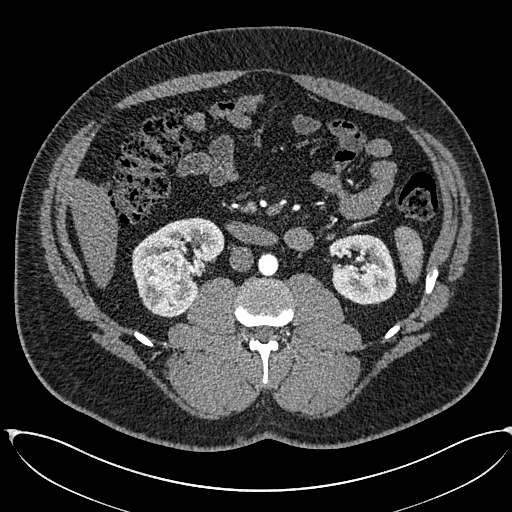
Arterial-phase contrast-enhanced abdominal CT, axial slice 306 of 673 (counted from the lowest slice); tube voltage 120 kVp, convolution kernel I30f; slices 1.00 mm thick, 0.855 mm per pixel.
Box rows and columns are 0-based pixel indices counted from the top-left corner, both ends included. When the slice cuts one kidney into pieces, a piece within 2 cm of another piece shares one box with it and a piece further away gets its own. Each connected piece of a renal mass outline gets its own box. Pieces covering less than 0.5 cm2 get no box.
Three boxes on this slice (two kidney boxes and one renal mass box), listed by box centre from the image's left to its right. (1) Right renal mass at rows 250–312, columns 145–190 (outlined area 2,350 px, about 17.2 cm2). (2) Box rows 217–317, columns 132–224: right kidney (outlined area 3,993 px, about 29.2 cm2). (3) Left kidney, box rows 234–304, columns 328–396 (outlined area 3,780 px, about 27.7 cm2).